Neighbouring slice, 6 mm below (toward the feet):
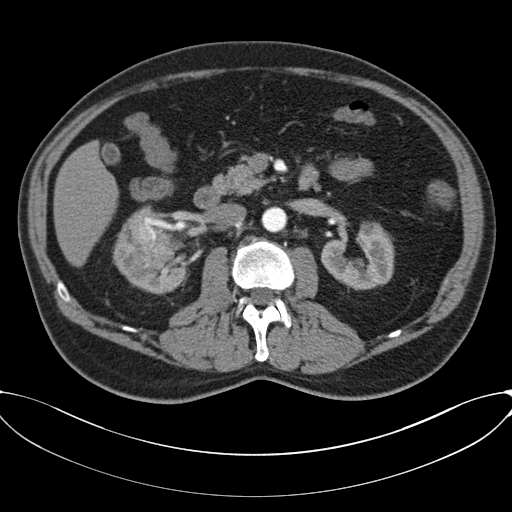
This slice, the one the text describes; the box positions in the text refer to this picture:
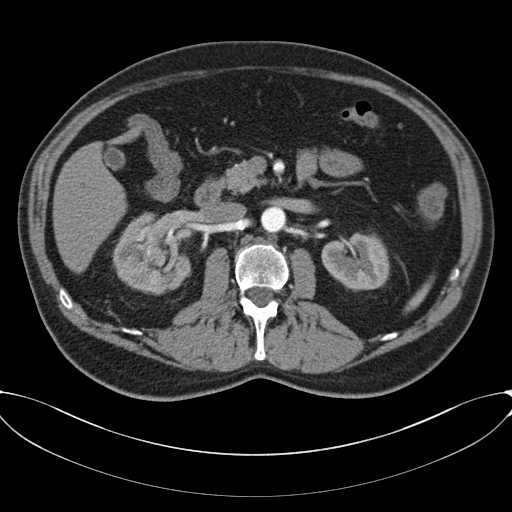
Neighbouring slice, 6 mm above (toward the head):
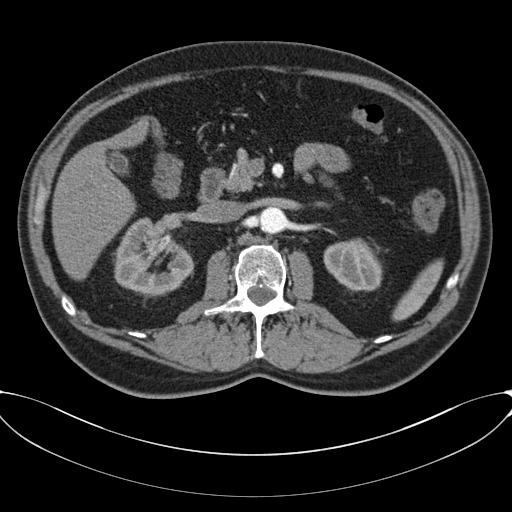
Contrast-enhanced abdominal CT, axial slice 38 of 80 (counted from the lowest slice); tube voltage 120 kVp, convolution kernel B30f; slices 3.00 mm thick, 0.822 mm per pixel.
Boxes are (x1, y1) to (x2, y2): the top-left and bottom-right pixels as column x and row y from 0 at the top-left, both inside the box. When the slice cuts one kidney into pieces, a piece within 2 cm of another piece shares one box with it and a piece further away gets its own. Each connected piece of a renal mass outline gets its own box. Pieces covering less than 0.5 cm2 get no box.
Boxed on this slice (two kidney boxes and one renal mass box), listed by box centre from the image's left to its right: (1) Right kidney, box (112, 212) to (191, 295) (outlined area 4,076 px, about 27.6 cm2). (2) Box (142, 243) to (165, 266): right renal mass (outlined area 409 px, about 2.8 cm2). (3) Box (321, 232) to (389, 290): left kidney (outlined area 3,071 px, about 20.8 cm2). This slice is near the end of the right renal mass toward the head, so the slices 6 mm below and 6 mm above it are shown as well; the boxes refer to this slice only.